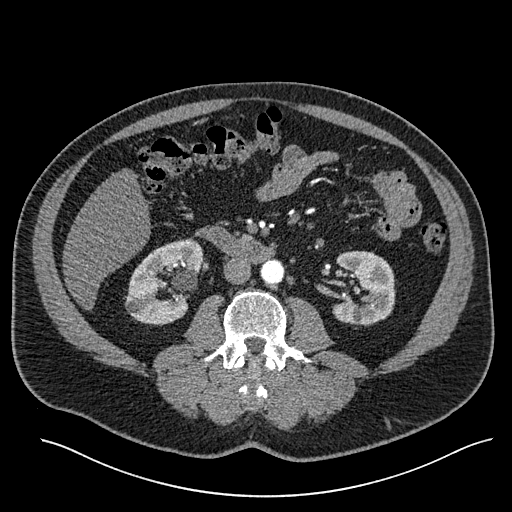
Axial slice 281 of 527 of a contrast-enhanced abdominal CT in the arterial phase (slice 1 is the lowest), 120 kVp, kernel I30f; 1.00 mm slice thickness and 0.859 mm pixels.
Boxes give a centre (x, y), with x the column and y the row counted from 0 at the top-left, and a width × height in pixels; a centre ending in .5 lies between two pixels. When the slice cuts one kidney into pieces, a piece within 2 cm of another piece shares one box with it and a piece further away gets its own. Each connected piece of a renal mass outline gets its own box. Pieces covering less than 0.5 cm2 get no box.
Two boxes on this slice (two kidney boxes), listed by box centre from the image's left to its right. (1) Box centre (162.5, 280.5), 78 × 84 pixels: right kidney (outlined area 4,516 px, about 33.4 cm2). (2) Left kidney in a box with centre (363.5, 288.5), 64 × 76 pixels (outlined area 3,768 px, about 27.8 cm2). No renal mass outline on this slice.